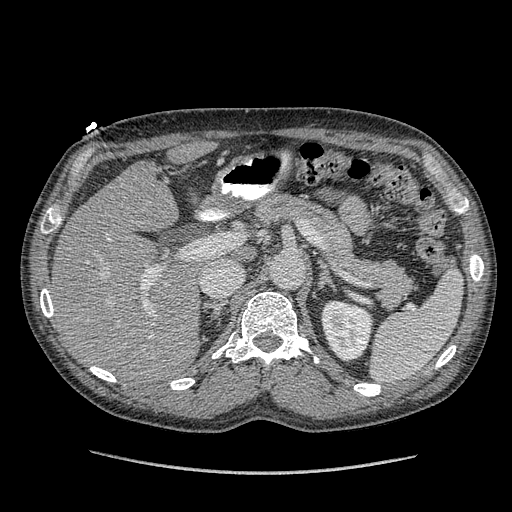
Arterial-phase contrast-enhanced abdominal CT, axial slice 252 of 349 (counted from the lowest slice); tube voltage 120 kVp, convolution kernel STANDARD; slices 1.25 mm thick, 0.742 mm per pixel.
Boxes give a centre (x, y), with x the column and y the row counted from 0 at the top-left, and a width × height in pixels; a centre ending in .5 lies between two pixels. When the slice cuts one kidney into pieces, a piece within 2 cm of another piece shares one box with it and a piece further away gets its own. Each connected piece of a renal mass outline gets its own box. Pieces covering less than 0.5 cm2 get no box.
Left kidney in a box with centre (346.5, 331), 54 × 63 pixels (outlined area 2,493 px, about 13.7 cm2). This slice carries no renal mass outline.